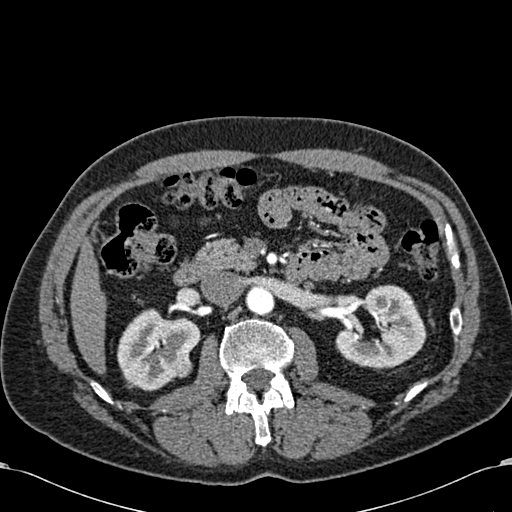
One axial slice (364 of 581, counting up from the lowest) of an arterial-phase abdominal CT acquired with 120 kVp, kernel B30f; each pixel is 0.713 mm and the slice is 1.00 mm thick.
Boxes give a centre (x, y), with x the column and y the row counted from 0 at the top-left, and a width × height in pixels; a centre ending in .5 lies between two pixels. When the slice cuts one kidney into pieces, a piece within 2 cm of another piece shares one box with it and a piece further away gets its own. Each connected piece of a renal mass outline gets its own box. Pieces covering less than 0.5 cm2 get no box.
Boxed on this slice (two kidney boxes and one renal mass box), listed by box centre from the image's left to its right: (1) Right kidney in a box with centre (158.5, 349.5), 84 × 84 pixels (outlined area 4,533 px, about 23.0 cm2). (2) Right renal mass, box centre (181.5, 364.5), 22 × 28 pixels (outlined area 445 px, about 2.3 cm2). (3) Left kidney, box centre (380.5, 326.5), 92 × 86 pixels (outlined area 5,157 px, about 26.2 cm2).